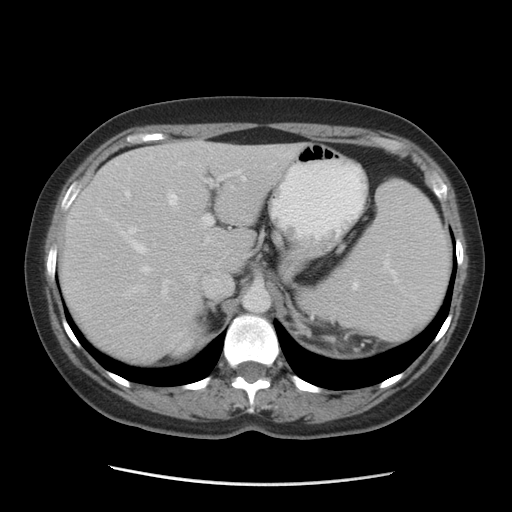
One axial slice (66 of 84, counting up from the lowest) of a contrast-enhanced abdominal CT acquired with 140 kVp, kernel STANDARD; each pixel is 0.717 mm and the slice is 5.00 mm thick.
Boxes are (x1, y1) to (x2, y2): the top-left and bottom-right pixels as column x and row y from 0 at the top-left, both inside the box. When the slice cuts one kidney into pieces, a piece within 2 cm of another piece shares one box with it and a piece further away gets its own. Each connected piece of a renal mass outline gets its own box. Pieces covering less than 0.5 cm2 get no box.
Right kidney, box (167, 324) to (209, 358) (outlined area 548 px, about 2.8 cm2). This slice carries no renal mass outline.